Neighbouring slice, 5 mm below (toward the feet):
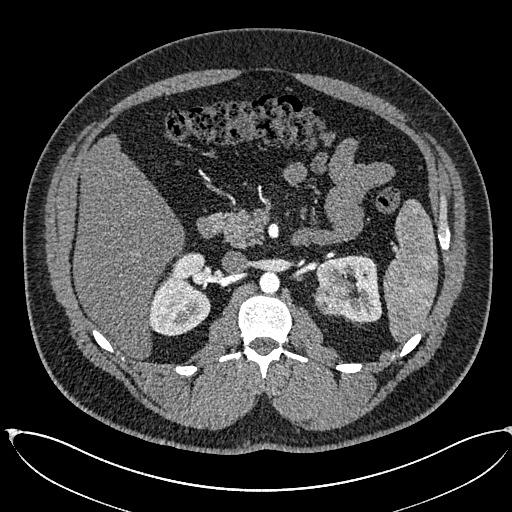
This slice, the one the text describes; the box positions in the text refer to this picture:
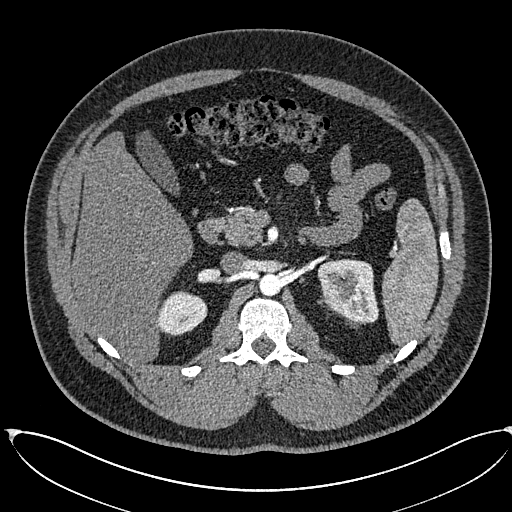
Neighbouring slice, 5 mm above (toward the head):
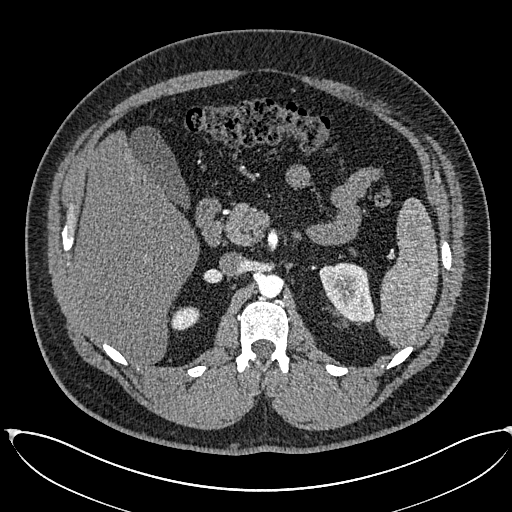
Axial slice 395 of 673 of a contrast-enhanced abdominal CT in the arterial phase (slice 1 is the lowest), 120 kVp, kernel I30f; 1.00 mm slice thickness and 0.855 mm pixels.
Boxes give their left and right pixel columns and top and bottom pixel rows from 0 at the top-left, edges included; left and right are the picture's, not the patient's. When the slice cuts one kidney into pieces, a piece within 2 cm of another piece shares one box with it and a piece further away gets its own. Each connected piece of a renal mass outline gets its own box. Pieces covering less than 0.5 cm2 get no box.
Two kidney boxes and one renal mass box on this slice; by box centre, from the image's left to its right: (1) Right kidney, the box with left 157, top 290, right 207, bottom 335 (outlined area 1,721 px, about 12.6 cm2). (2) Left renal mass in the box with left 321, top 291, right 346, bottom 312 (outlined area 410 px, about 3.0 cm2). (3) Left kidney, the box with left 317, top 259, right 378, bottom 323 (outlined area 2,722 px, about 19.9 cm2). This slice lies near the end of the left renal mass toward the head; the slices 5 mm below and 5 mm above it are shown too, and the boxes mark positions on this slice only.